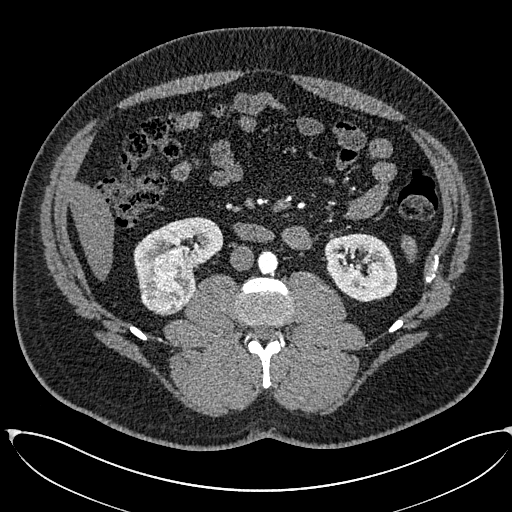
Axial slice 296 of 673 of a contrast-enhanced abdominal CT in the arterial phase (slice 1 is the lowest), 120 kVp, kernel I30f; 1.00 mm slice thickness and 0.855 mm pixels.
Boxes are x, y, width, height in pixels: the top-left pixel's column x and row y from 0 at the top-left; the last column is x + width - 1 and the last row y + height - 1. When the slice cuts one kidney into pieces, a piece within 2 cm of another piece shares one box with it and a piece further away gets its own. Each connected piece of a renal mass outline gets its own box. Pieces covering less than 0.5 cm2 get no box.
Boxed on this slice (two kidney boxes and one renal mass box), listed by box centre from the image's left to its right: (1) Right renal mass at x 139, y 247, width 56, height 69 (outlined area 2,731 px, about 20.0 cm2). (2) Box x 133, y 217, width 91, height 72: right kidney (outlined area 3,119 px, about 22.8 cm2). (3) Left kidney, box x 324, y 233, width 74, height 69 (outlined area 3,904 px, about 28.6 cm2).